Arterial-phase contrast-enhanced abdominal CT, axial slice 194 of 349 (counted from the lowest slice); tube voltage 120 kVp, convolution kernel STANDARD; slices 1.25 mm thick, 0.742 mm per pixel.
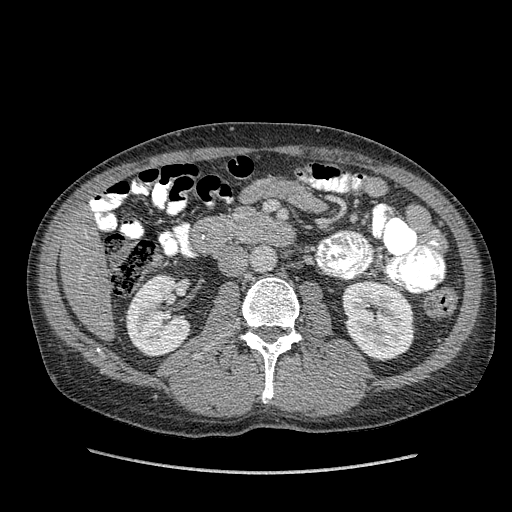
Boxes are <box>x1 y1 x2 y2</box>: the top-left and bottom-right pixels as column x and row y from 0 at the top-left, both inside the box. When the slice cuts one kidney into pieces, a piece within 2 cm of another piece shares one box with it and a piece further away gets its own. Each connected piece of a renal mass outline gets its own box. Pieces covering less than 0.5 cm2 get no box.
Two boxes on this slice (two kidney boxes), listed by box centre from the image's left to its right. (1) At <box>124 274 191 357</box>: right kidney (outlined area 4,132 px, about 22.8 cm2). (2) Left kidney at <box>342 279 414 361</box> (outlined area 4,738 px, about 26.1 cm2). No renal mass outline on this slice.